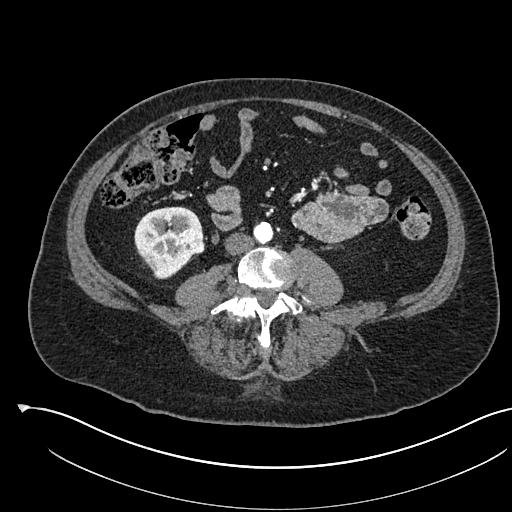
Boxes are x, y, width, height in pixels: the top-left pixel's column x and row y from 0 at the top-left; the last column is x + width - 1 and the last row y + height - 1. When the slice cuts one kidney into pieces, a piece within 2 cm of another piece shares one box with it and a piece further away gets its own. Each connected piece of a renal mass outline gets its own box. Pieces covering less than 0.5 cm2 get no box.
This is axial slice 215 of 541 (slice 1 is the lowest) of an arterial-phase abdominal CT with contrast; each pixel is 0.834 mm and the slice is 1.00 mm thick. One kidney box and one renal mass box on this slice; by box centre, from the image's left to its right: (1) Box x 134, y 206, width 69, height 73: right kidney (outlined area 3,183 px, about 22.1 cm2). (2) Right renal mass, box x 176, y 228, width 29, height 28 (outlined area 616 px, about 4.3 cm2).
Scan settings: 120 kVp, I30f reconstruction kernel.